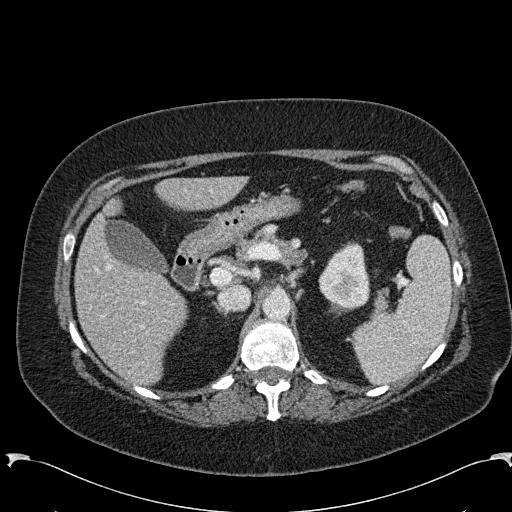
Abdominal CT with intravenous contrast, arterial phase, axial plane, 120 kVp, kernel B31f. Slice 174/285 from the bottom of the scan; thickness 2.00 mm; pixel size 0.762 mm.
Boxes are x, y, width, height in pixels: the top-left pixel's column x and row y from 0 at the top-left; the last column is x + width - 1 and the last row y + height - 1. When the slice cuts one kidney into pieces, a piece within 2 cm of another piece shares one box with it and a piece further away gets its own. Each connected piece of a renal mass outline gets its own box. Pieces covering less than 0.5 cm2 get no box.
Box x 318, y 242, width 53, height 68: left kidney (outlined area 2,561 px, about 14.9 cm2). This slice carries no renal mass outline.